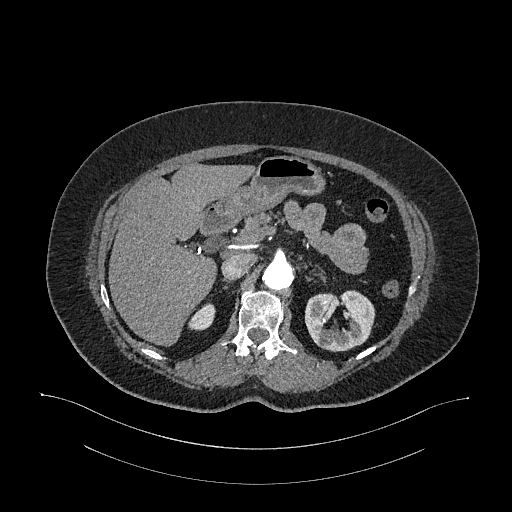
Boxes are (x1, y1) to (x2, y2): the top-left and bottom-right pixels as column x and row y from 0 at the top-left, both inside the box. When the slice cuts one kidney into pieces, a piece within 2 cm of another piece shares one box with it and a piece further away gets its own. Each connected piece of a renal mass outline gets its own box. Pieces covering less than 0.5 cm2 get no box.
Arterial-phase contrast-enhanced abdominal CT, axial slice 729 of 987 (counted from the lowest slice); 1.00 mm thick, 0.977 mm per pixel. Two boxes on this slice (two kidney boxes), listed by box centre from the image's left to its right. (1) Right kidney from (188, 303) to (215, 330) (outlined area 521 px, about 5.0 cm2). (2) Left kidney, box (304, 290) to (375, 351) (outlined area 3,211 px, about 30.6 cm2). No renal mass is outlined on this slice.
Acquired at 120 kVp and reconstructed with the I26f kernel.